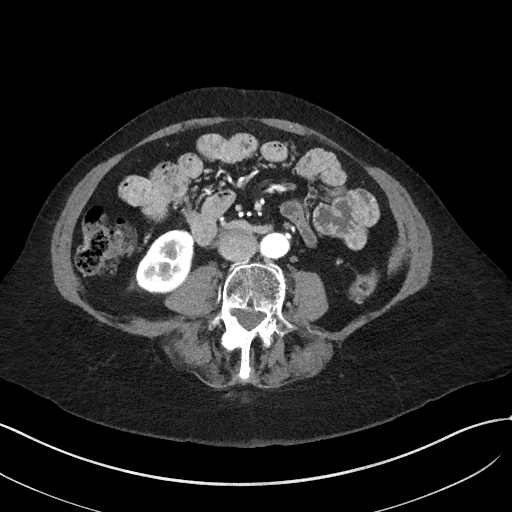
One axial slice (8 of 50, counting up from the lowest) of an arterial-phase abdominal CT acquired with 100 kVp, kernel I41f; each pixel is 0.758 mm and the slice is 3.00 mm thick.
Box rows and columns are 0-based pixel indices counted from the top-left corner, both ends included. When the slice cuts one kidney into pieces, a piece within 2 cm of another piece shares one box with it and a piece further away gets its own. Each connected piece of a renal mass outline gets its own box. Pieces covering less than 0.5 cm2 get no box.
Right kidney at rows 229–294, columns 135–193 (outlined area 2,687 px, about 15.4 cm2). This slice carries no renal mass outline.